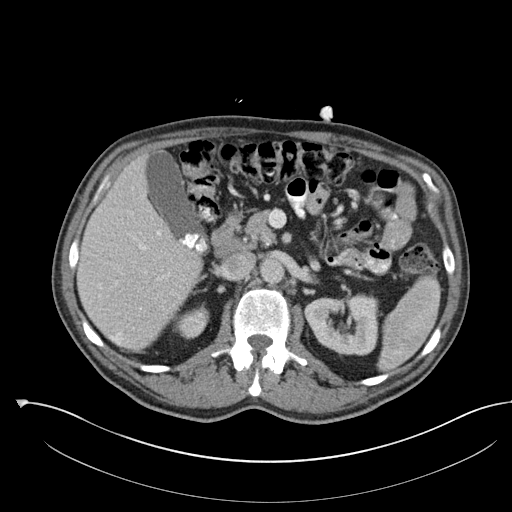
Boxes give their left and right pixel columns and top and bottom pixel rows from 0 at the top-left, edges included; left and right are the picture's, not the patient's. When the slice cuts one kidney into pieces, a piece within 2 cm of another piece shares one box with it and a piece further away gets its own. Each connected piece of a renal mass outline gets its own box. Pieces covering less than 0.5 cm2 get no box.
Slice 72/142 of a contrast-enhanced abdominal CT, counting up from the lowest; pixel size 0.855 mm, slice thickness 5.00 mm. Two kidney boxes on this slice; by box centre, from the image's left to its right: (1) Box with left 174, top 303, right 209, bottom 339: right kidney (outlined area 837 px, about 6.1 cm2). (2) Left kidney, the box with left 303, top 293, right 382, bottom 355 (outlined area 3,639 px, about 26.6 cm2). No renal mass is outlined on this slice.
Tube voltage 100 kVp; convolution kernel I30f.